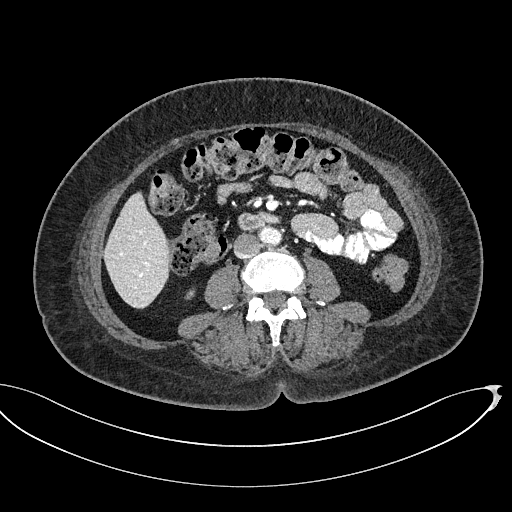
Contrast-enhanced abdominal CT, axial slice 252 of 439 (counted from the lowest slice); tube voltage 100 kVp, convolution kernel I40f; slices 2.00 mm thick, 0.850 mm per pixel.
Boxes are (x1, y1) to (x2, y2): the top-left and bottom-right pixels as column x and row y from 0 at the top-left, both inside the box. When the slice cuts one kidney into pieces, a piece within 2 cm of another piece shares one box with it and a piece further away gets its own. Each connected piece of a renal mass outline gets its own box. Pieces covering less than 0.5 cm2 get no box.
Right kidney, box (184, 288) to (195, 299) (outlined area 86 px, about 0.6 cm2). No renal mass outline on this slice.